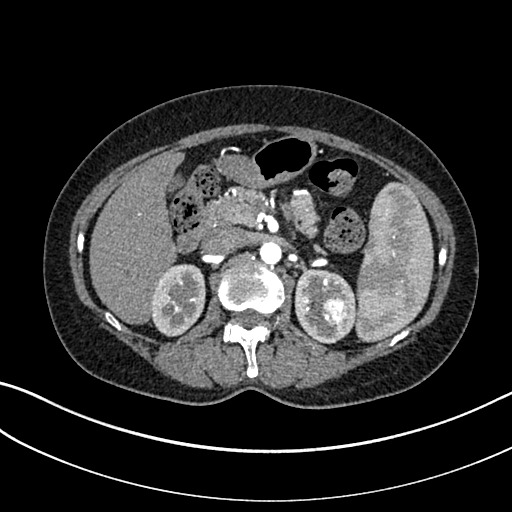
Abdominal CT with intravenous contrast, arterial phase, axial plane, 100 kVp, kernel I30f. Slice 199/325 from the bottom of the scan; thickness 1.00 mm; pixel size 0.703 mm.
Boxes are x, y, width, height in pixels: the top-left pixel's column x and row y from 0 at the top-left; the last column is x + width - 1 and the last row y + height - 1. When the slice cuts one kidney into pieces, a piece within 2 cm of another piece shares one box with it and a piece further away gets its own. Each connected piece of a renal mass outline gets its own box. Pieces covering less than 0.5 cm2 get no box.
Two kidney boxes and one renal mass box on this slice; by box centre, from the image's left to its right: (1) Right kidney, box x 151, y 263, width 55, height 74 (outlined area 3,148 px, about 15.6 cm2). (2) Left kidney at x 294, y 268, width 63, height 76 (outlined area 3,007 px, about 14.9 cm2). (3) Left renal mass at x 321, y 295, width 29, height 33 (outlined area 733 px, about 3.6 cm2).